Arterial-phase contrast-enhanced abdominal CT, axial slice 274 of 541 (counted from the lowest slice); tube voltage 120 kVp, convolution kernel I30f; slices 1.00 mm thick, 0.834 mm per pixel.
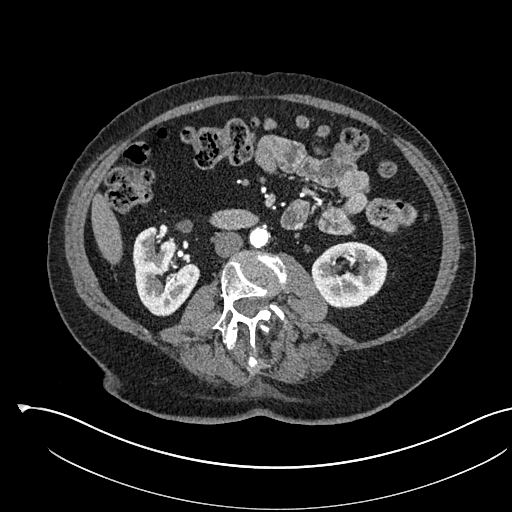
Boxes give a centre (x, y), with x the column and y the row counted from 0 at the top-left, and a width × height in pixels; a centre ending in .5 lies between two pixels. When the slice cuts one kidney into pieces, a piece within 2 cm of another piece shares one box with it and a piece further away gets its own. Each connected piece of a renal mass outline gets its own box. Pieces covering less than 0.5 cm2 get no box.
Boxed on this slice (two kidney boxes), listed by box centre from the image's left to its right: (1) Right kidney in a box with centre (165.5, 271), 68 × 91 pixels (outlined area 4,108 px, about 28.6 cm2). (2) Left kidney, box centre (349, 273.5), 77 × 66 pixels (outlined area 3,762 px, about 26.2 cm2). No renal mass outline on this slice.